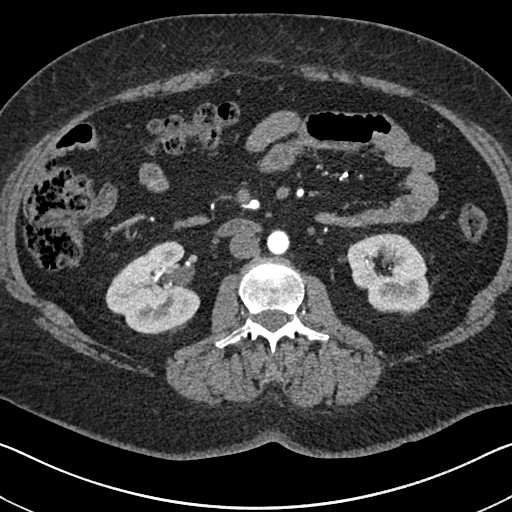
One axial slice (363 of 591, counting up from the lowest) of an arterial-phase abdominal CT acquired with 140 kVp, kernel I30f; each pixel is 0.703 mm and the slice is 1.00 mm thick.
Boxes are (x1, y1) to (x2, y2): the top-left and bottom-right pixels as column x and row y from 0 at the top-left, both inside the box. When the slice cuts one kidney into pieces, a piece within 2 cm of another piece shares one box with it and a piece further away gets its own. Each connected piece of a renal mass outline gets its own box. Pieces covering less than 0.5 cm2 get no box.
Boxed on this slice (two kidney boxes), listed by box centre from the image's left to its right: (1) Right kidney from (105, 241) to (200, 334) (outlined area 6,168 px, about 30.5 cm2). (2) Box (347, 232) to (431, 313): left kidney (outlined area 5,010 px, about 24.8 cm2). This slice carries no renal mass outline.